Axial slice 178 of 274 of a contrast-enhanced abdominal CT (slice 1 is the lowest), 120 kVp, kernel B31f; 2.00 mm slice thickness and 0.977 mm pixels.
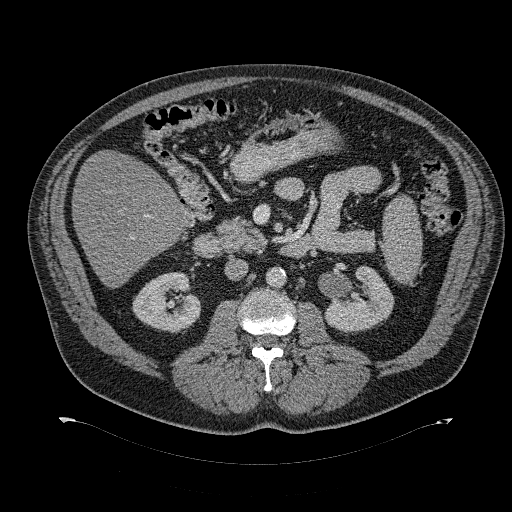
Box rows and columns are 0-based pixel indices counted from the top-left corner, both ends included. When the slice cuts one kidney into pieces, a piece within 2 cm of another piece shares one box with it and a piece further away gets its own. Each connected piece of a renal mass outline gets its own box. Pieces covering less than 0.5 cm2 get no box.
Two kidney boxes on this slice; by box centre, from the image's left to its right: (1) Box rows 272–333, columns 132–201: right kidney (outlined area 3,053 px, about 29.1 cm2). (2) Left kidney, box rows 265–333, columns 325–394 (outlined area 3,083 px, about 29.4 cm2). No renal mass outline on this slice.